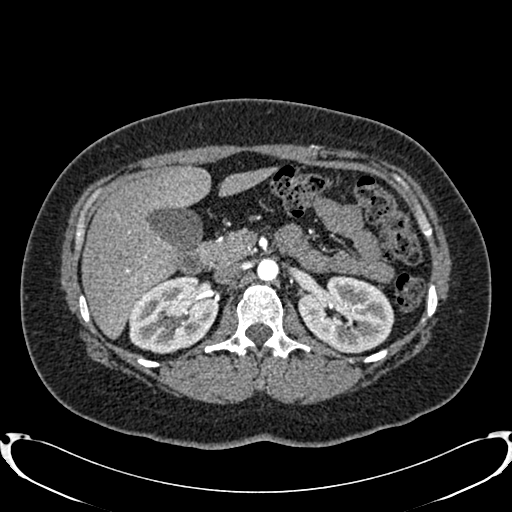
Axial slice 505 of 719 of a contrast-enhanced abdominal CT in the arterial phase (slice 1 is the lowest), 120 kVp, kernel B20f; 1.00 mm slice thickness and 0.766 mm pixels.
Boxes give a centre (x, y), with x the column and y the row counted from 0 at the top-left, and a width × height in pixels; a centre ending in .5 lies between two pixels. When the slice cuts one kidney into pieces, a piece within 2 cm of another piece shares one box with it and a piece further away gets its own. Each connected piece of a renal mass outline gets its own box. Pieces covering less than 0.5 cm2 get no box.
Two boxes on this slice (two kidney boxes), listed by box centre from the image's left to its right. (1) Right kidney, box centre (173, 314.5), 91 × 80 pixels (outlined area 5,255 px, about 30.8 cm2). (2) Box centre (346, 313.5), 97 × 78 pixels: left kidney (outlined area 5,485 px, about 32.2 cm2). This slice carries no renal mass outline.